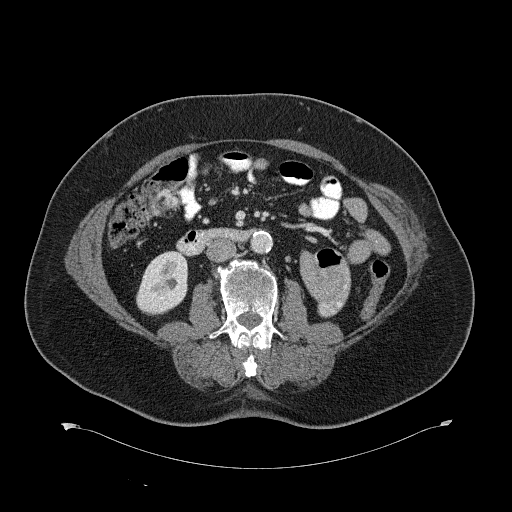
One axial slice (325 of 734, counting up from the lowest) of a contrast-enhanced abdominal CT acquired with 120 kVp, kernel B31f; each pixel is 0.971 mm and the slice is 2.00 mm thick.
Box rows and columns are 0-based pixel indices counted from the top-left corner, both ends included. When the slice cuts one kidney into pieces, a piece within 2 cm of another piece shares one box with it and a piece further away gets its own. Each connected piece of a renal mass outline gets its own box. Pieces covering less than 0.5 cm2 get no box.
Right kidney, box rows 251–315, columns 136–188 (outlined area 2,539 px, about 23.9 cm2). No renal mass is outlined on this slice.